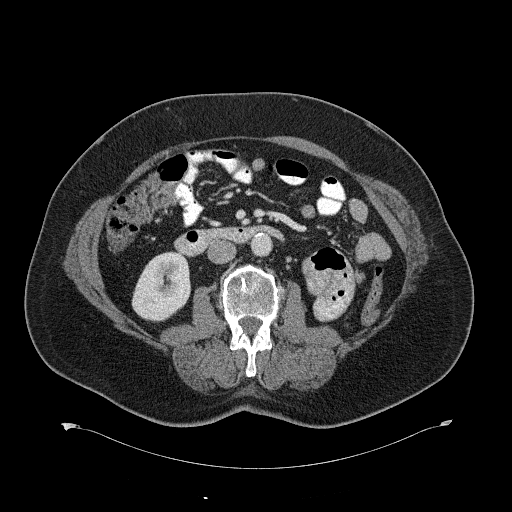
Contrast-enhanced abdominal CT, axial slice 332 of 734 (counted from the lowest slice); tube voltage 120 kVp, convolution kernel B31f; slices 2.00 mm thick, 0.971 mm per pixel.
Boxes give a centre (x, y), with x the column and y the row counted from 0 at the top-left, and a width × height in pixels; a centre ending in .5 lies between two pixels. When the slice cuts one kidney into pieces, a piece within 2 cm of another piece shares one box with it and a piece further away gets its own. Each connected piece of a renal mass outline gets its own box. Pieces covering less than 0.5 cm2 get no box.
Right kidney in a box with centre (160.5, 286), 60 × 71 pixels (outlined area 3,122 px, about 29.4 cm2). This slice carries no renal mass outline.